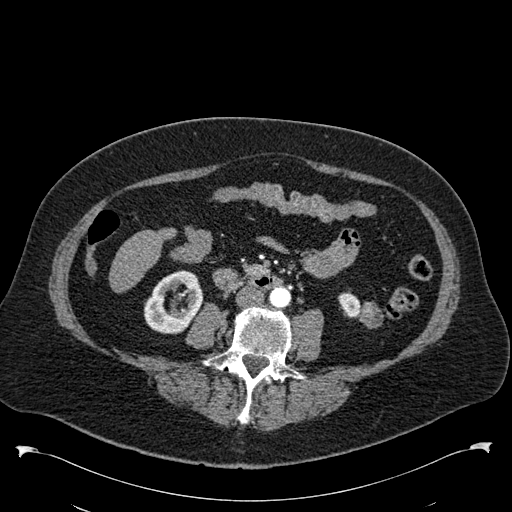
Arterial-phase contrast-enhanced abdominal CT, axial slice 233 of 538 (counted from the lowest slice); tube voltage 120 kVp, convolution kernel B30f; slices 1.00 mm thick, 0.811 mm per pixel.
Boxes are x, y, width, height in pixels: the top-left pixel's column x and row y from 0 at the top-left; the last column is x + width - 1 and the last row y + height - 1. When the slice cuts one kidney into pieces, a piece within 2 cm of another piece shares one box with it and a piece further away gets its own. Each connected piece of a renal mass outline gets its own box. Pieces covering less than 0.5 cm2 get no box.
Two kidney boxes and one renal mass box on this slice; by box centre, from the image's left to its right: (1) Box x 144, y 270, width 60, height 65: right kidney (outlined area 2,631 px, about 17.3 cm2). (2) Box x 337, y 291, width 25, height 27: left kidney (outlined area 476 px, about 3.1 cm2). (3) Left renal mass, box x 359, y 301, width 25, height 28 (outlined area 490 px, about 3.2 cm2).